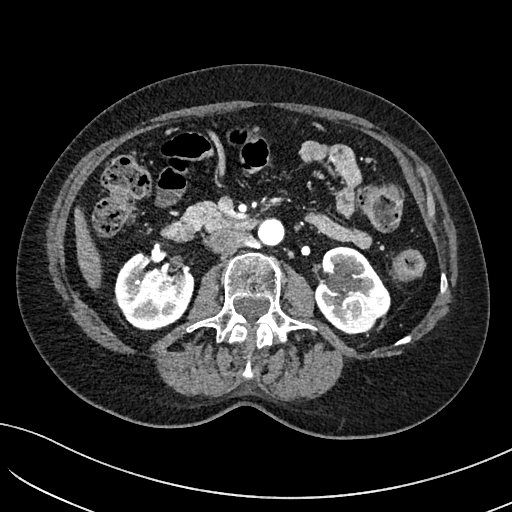
Axial slice 54 of 234 of a contrast-enhanced abdominal CT in the arterial phase (slice 1 is the lowest), 100 kVp, kernel I40f; 2.00 mm slice thickness and 0.699 mm pixels.
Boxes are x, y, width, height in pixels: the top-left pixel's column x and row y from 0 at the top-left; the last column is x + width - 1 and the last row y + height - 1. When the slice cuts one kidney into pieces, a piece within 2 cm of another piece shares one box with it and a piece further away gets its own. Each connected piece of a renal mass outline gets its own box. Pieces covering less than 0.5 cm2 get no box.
Three boxes on this slice (two kidney boxes and one renal mass box), listed by box centre from the image's left to its right. (1) Right kidney at x 114, y 252, width 81, height 79 (outlined area 4,634 px, about 22.7 cm2). (2) Left kidney, box x 312, y 246, width 79, height 88 (outlined area 3,661 px, about 17.9 cm2). (3) Left renal mass, box x 339, y 293, width 46, height 41 (outlined area 1,234 px, about 6.0 cm2).